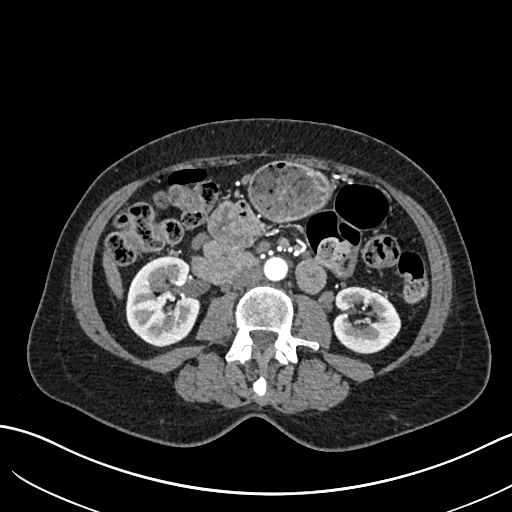
One axial slice (328 of 683, counting up from the lowest) of an arterial-phase abdominal CT acquired with 120 kVp, kernel I30f; each pixel is 0.738 mm and the slice is 1.00 mm thick.
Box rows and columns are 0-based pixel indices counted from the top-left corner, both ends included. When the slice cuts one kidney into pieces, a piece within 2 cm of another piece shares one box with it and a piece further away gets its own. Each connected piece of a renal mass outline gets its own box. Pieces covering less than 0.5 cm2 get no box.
Two kidney boxes on this slice; by box centre, from the image's left to its right: (1) Box rows 256–347, columns 125–200: right kidney (outlined area 5,289 px, about 28.8 cm2). (2) Left kidney at rows 286–354, columns 333–401 (outlined area 3,473 px, about 18.9 cm2). No renal mass outline on this slice.